One axial slice (582 of 719, counting up from the lowest) of an arterial-phase abdominal CT acquired with 120 kVp, kernel B20f; each pixel is 0.766 mm and the slice is 1.00 mm thick.
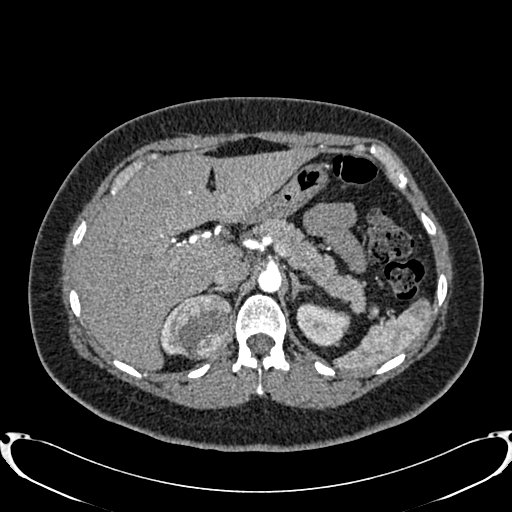
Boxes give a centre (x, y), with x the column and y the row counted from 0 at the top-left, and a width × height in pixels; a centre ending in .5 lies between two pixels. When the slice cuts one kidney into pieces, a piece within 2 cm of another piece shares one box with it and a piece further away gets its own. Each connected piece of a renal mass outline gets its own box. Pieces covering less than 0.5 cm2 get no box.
Two kidney boxes and one renal mass box on this slice; by box centre, from the image's left to its right: (1) Box centre (174.5, 325.5), 32 × 60 pixels: right kidney (outlined area 533 px, about 3.1 cm2). (2) Right renal mass in a box with centre (202, 326.5), 63 × 66 pixels (outlined area 3,264 px, about 19.1 cm2). (3) Left kidney, box centre (323, 323.5), 55 × 44 pixels (outlined area 1,742 px, about 10.2 cm2).